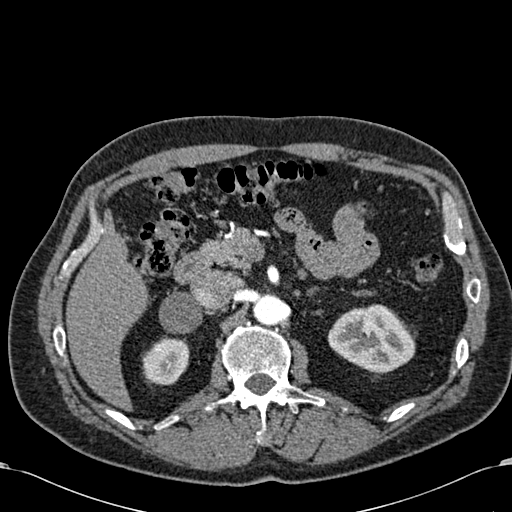
Axial slice 405 of 581 of a contrast-enhanced abdominal CT in the arterial phase (slice 1 is the lowest), 120 kVp, kernel B30f; 1.00 mm slice thickness and 0.713 mm pixels.
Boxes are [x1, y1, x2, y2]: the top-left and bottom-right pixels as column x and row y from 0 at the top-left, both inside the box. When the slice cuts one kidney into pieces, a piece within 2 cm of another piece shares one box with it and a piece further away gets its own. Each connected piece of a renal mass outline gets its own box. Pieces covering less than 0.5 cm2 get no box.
Boxed on this slice (two kidney boxes), listed by box centre from the image's left to its right: (1) Right kidney, box [142, 337, 189, 385] (outlined area 1,811 px, about 9.2 cm2). (2) Box [327, 304, 415, 373]: left kidney (outlined area 4,424 px, about 22.5 cm2). This slice carries no renal mass outline.